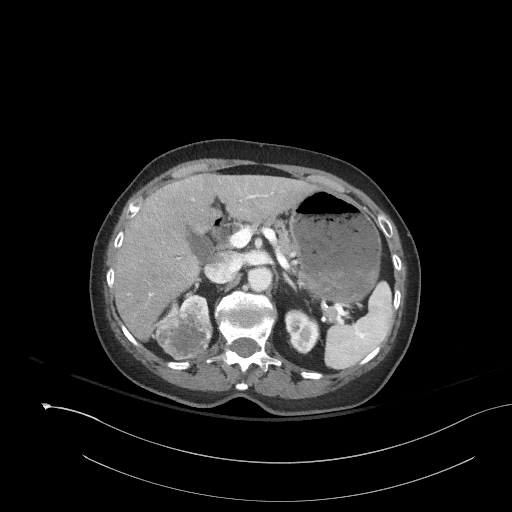
Axial slice 112 of 153 of a contrast-enhanced abdominal CT (slice 1 is the lowest), 120 kVp, kernel I41f; 3.00 mm slice thickness and 0.893 mm pixels.
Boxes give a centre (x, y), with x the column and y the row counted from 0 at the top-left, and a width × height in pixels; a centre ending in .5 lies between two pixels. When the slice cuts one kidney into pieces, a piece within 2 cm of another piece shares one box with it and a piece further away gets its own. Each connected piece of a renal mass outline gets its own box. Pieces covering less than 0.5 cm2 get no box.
Boxed on this slice (two kidney boxes and one renal mass box), listed by box centre from the image's left to its right: (1) Box centre (183.5, 336), 58 × 49 pixels: right renal mass (outlined area 2,182 px, about 17.4 cm2). (2) Box centre (188.5, 304.5), 42 × 22 pixels: right kidney (outlined area 577 px, about 4.6 cm2). (3) Left kidney in a box with centre (301.5, 331.5), 36 × 46 pixels (outlined area 1,216 px, about 9.7 cm2).